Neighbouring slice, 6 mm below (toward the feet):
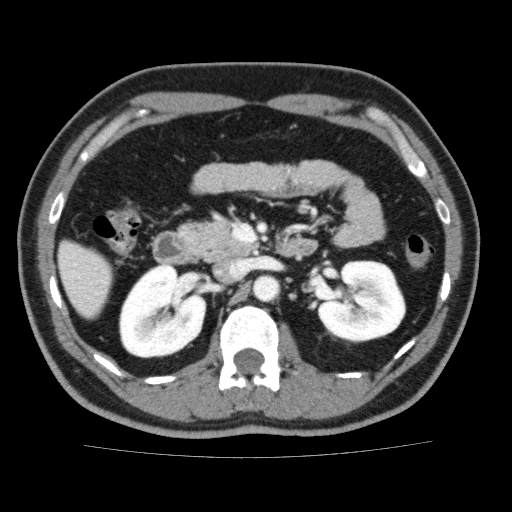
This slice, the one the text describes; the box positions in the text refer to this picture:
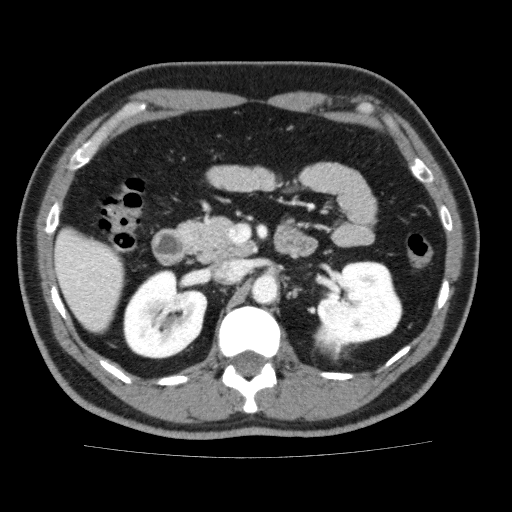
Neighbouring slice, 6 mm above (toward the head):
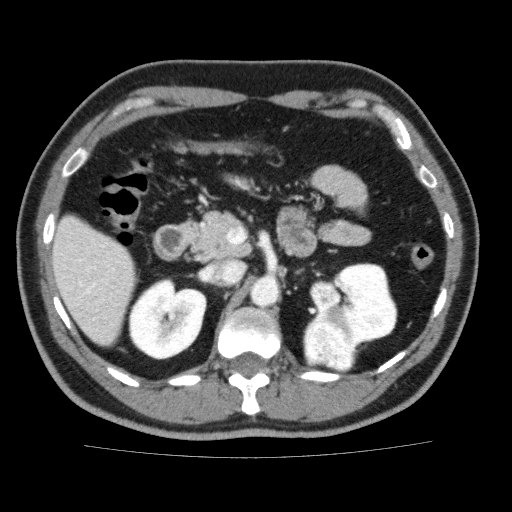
One axial slice (109 of 159, counting up from the lowest) of a contrast-enhanced abdominal CT acquired with 120 kVp, kernel FC13; each pixel is 0.668 mm and the slice is 3.00 mm thick.
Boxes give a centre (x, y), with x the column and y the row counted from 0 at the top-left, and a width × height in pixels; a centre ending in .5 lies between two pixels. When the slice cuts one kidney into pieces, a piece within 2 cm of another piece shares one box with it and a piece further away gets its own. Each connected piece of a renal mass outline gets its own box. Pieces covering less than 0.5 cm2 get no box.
Two kidney boxes and one renal mass box on this slice; by box centre, from the image's left to its right: (1) Box centre (165, 314), 85 × 91 pixels: right kidney (outlined area 5,713 px, about 25.5 cm2). (2) Box centre (331.5, 340.5), 38 × 42 pixels: left renal mass (outlined area 962 px, about 4.3 cm2). (3) Left kidney in a box with centre (358.5, 303), 88 × 85 pixels (outlined area 5,155 px, about 23.0 cm2). This slice is near the end of the left renal mass toward the feet, so the slices 6 mm below and 6 mm above it are shown as well; the boxes refer to this slice only.